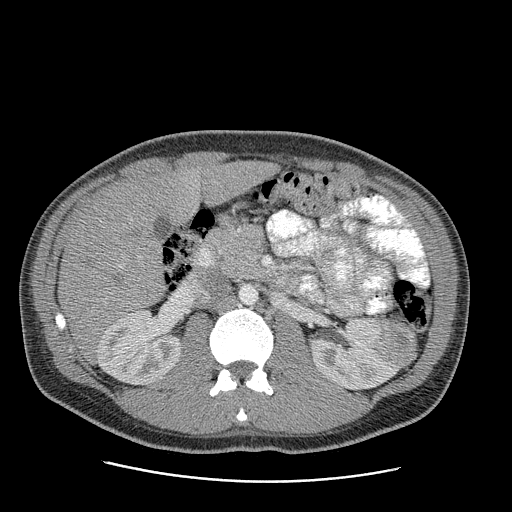
One axial slice (150 of 199, counting up from the lowest) of an arterial-phase abdominal CT acquired with 120 kVp, kernel STANDARD; each pixel is 0.789 mm and the slice is 2.50 mm thick.
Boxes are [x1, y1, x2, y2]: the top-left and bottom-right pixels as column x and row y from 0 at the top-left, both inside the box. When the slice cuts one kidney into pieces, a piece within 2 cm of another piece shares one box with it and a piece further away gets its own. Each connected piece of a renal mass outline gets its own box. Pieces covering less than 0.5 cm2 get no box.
Two kidney boxes and one renal mass box on this slice; by box centre, from the image's left to its right: (1) Box [97, 309, 180, 385]: right kidney (outlined area 4,812 px, about 30.0 cm2). (2) Box [308, 317, 403, 390]: left kidney (outlined area 4,508 px, about 28.1 cm2). (3) Box [373, 318, 417, 367]: left renal mass (outlined area 1,608 px, about 10.0 cm2).